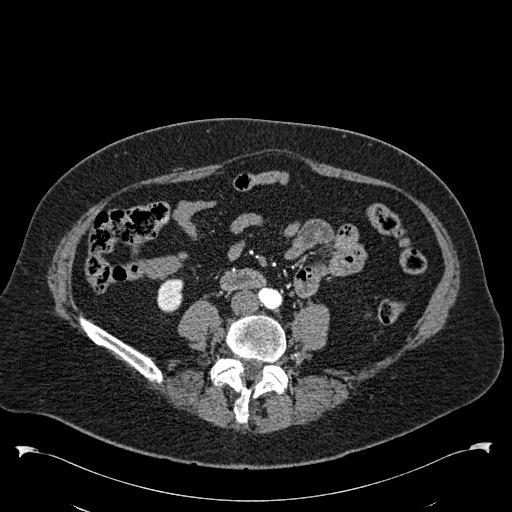
Abdominal CT with intravenous contrast, arterial phase, axial plane, 120 kVp, kernel B30f. Slice 200/538 from the bottom of the scan; thickness 1.00 mm; pixel size 0.811 mm.
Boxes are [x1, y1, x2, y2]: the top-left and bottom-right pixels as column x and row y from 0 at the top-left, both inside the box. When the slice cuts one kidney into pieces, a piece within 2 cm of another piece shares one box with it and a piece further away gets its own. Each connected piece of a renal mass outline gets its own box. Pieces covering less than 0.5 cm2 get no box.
Right kidney at [157, 278, 183, 312] (outlined area 753 px, about 4.9 cm2).